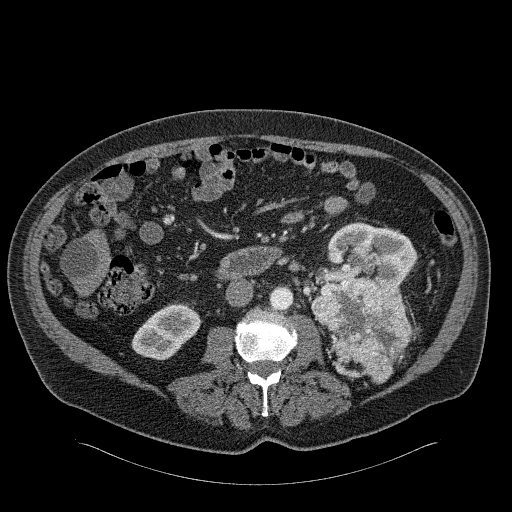
Arterial-phase contrast-enhanced abdominal CT, axial slice 100 of 326 (counted from the lowest slice); tube voltage 120 kVp, convolution kernel B31f; slices 2.00 mm thick, 0.963 mm per pixel.
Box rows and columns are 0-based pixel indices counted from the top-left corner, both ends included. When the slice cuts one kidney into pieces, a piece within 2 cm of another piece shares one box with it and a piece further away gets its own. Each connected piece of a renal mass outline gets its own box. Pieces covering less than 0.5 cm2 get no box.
Two kidney boxes and one renal mass box on this slice; by box centre, from the image's left to its right: (1) Right kidney at rows 302–360, columns 131–202 (outlined area 2,648 px, about 24.6 cm2). (2) Box rows 277–384, columns 311–412: left renal mass (outlined area 7,096 px, about 65.8 cm2). (3) Left kidney, box rows 222–303, columns 310–417 (outlined area 4,661 px, about 43.2 cm2).